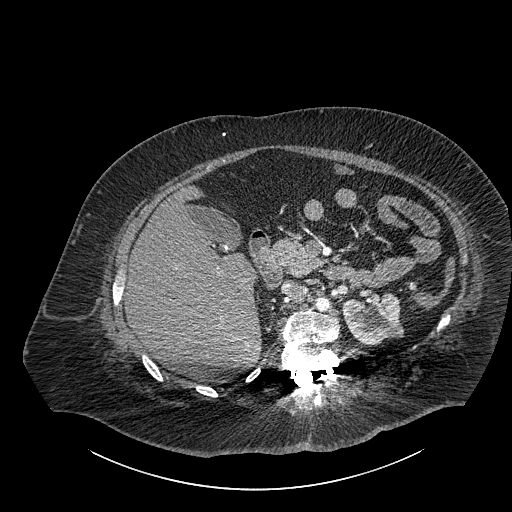
Abdominal CT with intravenous contrast, axial plane, 140 kVp, kernel I30f. Slice 584/834 from the bottom of the scan; thickness 1.00 mm; pixel size 0.977 mm.
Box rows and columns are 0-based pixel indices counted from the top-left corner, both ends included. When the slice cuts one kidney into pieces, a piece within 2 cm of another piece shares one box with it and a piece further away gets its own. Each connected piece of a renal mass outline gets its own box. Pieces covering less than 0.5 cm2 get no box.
Left part of the midline-crossing kidney at rows 292–344, columns 342–403 (outlined area 2,471 px, about 23.6 cm2).